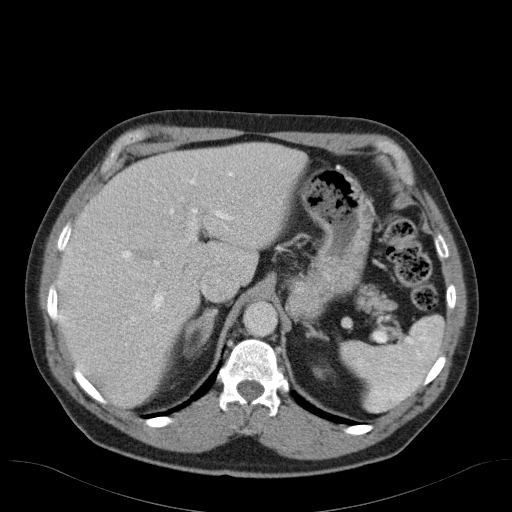
Abdominal CT with intravenous contrast, arterial phase, axial plane, 120 kVp, kernel B31f. Slice 80/98 from the bottom of the scan; thickness 5.00 mm; pixel size 0.764 mm.
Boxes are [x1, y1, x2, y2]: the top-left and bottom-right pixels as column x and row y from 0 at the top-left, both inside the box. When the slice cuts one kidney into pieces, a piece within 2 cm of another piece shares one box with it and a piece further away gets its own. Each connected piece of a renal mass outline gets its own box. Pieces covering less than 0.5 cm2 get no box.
Left kidney at [313, 366, 331, 379] (outlined area 155 px, about 0.9 cm2). This slice carries no renal mass outline.